One axial slice (357 of 734, counting up from the lowest) of a contrast-enhanced abdominal CT acquired with 120 kVp, kernel B31f; each pixel is 0.971 mm and the slice is 2.00 mm thick.
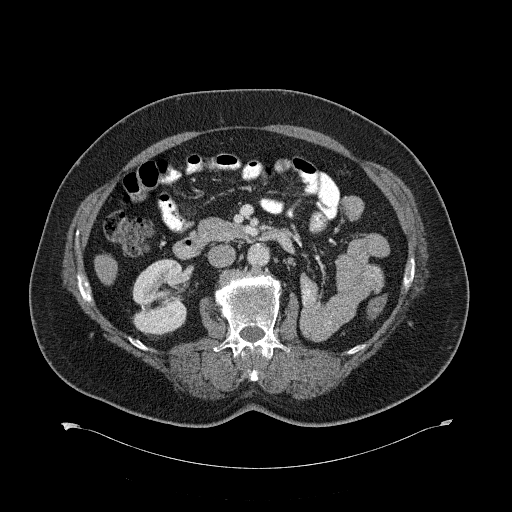
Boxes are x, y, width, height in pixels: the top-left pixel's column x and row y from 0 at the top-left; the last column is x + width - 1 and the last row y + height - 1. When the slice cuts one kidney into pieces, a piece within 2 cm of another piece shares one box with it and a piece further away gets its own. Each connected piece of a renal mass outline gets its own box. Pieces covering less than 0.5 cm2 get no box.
Right kidney, box x 132, y 258, width 57, height 79 (outlined area 3,470 px, about 32.7 cm2). No renal mass is outlined on this slice.